One axial slice (54 of 89, counting up from the lowest) of an arterial-phase abdominal CT acquired with 100 kVp, kernel I40f; each pixel is 0.885 mm and the slice is 5.00 mm thick.
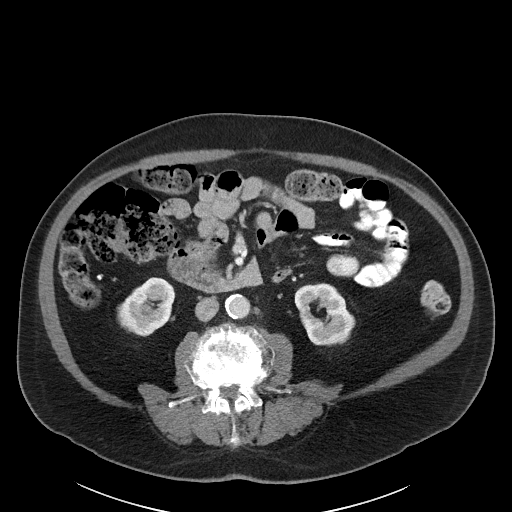
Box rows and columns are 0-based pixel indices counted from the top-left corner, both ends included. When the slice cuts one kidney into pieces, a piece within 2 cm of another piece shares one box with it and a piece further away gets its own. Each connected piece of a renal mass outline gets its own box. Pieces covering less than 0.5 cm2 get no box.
Boxed on this slice (two kidney boxes), listed by box centre from the image's left to its right: (1) Right kidney at rows 277–336, columns 117–175 (outlined area 2,461 px, about 19.3 cm2). (2) Left kidney at rows 283–346, columns 294–355 (outlined area 2,727 px, about 21.3 cm2). No renal mass outline on this slice.